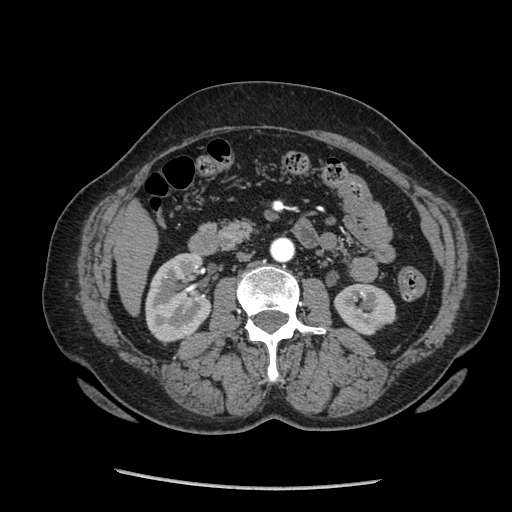
Arterial-phase contrast-enhanced abdominal CT, axial slice 112 of 233 (counted from the lowest slice); tube voltage 120 kVp, convolution kernel STANDARD; slices 1.25 mm thick, 0.703 mm per pixel.
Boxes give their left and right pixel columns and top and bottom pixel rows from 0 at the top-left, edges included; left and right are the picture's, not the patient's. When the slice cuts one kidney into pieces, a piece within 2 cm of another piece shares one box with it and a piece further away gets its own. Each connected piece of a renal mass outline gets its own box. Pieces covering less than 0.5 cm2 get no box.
Two boxes on this slice (two kidney boxes), listed by box centre from the image's left to its right. (1) Right kidney, the box with left 145, top 252, right 212, bottom 345 (outlined area 4,637 px, about 22.9 cm2). (2) Box with left 333, top 283, right 396, bottom 335: left kidney (outlined area 2,397 px, about 11.9 cm2). No renal mass is outlined on this slice.